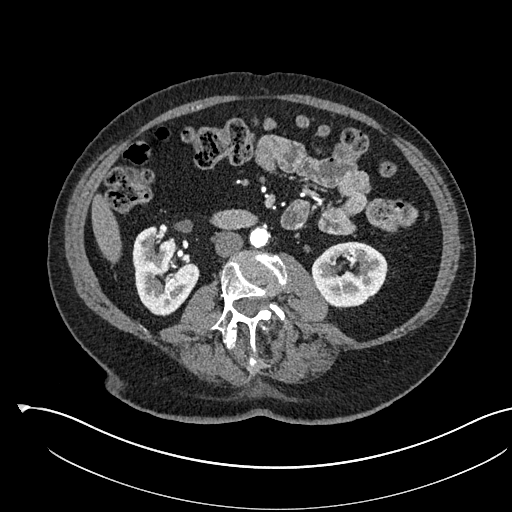
Abdominal CT with intravenous contrast, arterial phase, axial plane, 120 kVp, kernel I30f. Slice 273/541 from the bottom of the scan; thickness 1.00 mm; pixel size 0.834 mm.
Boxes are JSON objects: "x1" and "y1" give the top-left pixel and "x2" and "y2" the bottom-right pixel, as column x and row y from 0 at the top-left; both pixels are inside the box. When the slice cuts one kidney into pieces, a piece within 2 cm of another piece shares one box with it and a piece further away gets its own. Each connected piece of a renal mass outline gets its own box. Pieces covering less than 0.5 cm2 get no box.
Two boxes on this slice (two kidney boxes), listed by box centre from the image's left to its right. (1) Box {"x1": 132, "y1": 226, "x2": 199, "y2": 316}: right kidney (outlined area 4,145 px, about 28.8 cm2). (2) Left kidney at {"x1": 311, "y1": 241, "x2": 387, "y2": 306} (outlined area 3,770 px, about 26.2 cm2). No renal mass outline on this slice.